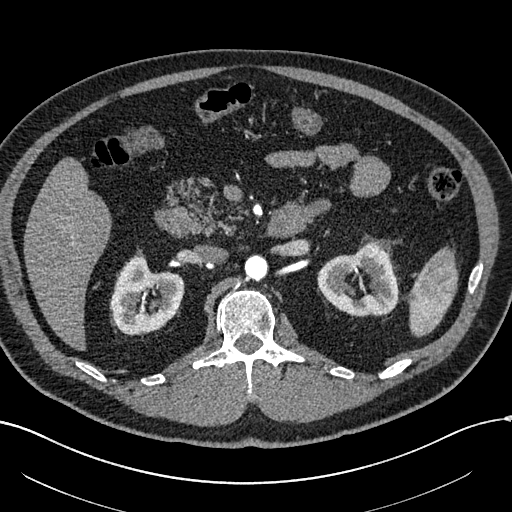
One axial slice (373 of 602, counting up from the lowest) of an arterial-phase abdominal CT acquired with 120 kVp, kernel I30f; each pixel is 0.799 mm and the slice is 1.00 mm thick.
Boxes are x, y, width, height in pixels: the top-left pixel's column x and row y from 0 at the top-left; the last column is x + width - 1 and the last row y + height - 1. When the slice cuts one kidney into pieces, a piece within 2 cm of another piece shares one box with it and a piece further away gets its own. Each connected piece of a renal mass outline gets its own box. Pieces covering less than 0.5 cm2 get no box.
Two kidney boxes on this slice; by box centre, from the image's left to its right: (1) Box x 110, y 252, width 75, height 83: right kidney (outlined area 4,193 px, about 26.8 cm2). (2) Left kidney, box x 317, y 242, width 81, height 75 (outlined area 4,234 px, about 27.0 cm2). No renal mass outline on this slice.